Arterial-phase contrast-enhanced abdominal CT, axial slice 371 of 541 (counted from the lowest slice); tube voltage 120 kVp, convolution kernel I30f; slices 1.00 mm thick, 0.834 mm per pixel.
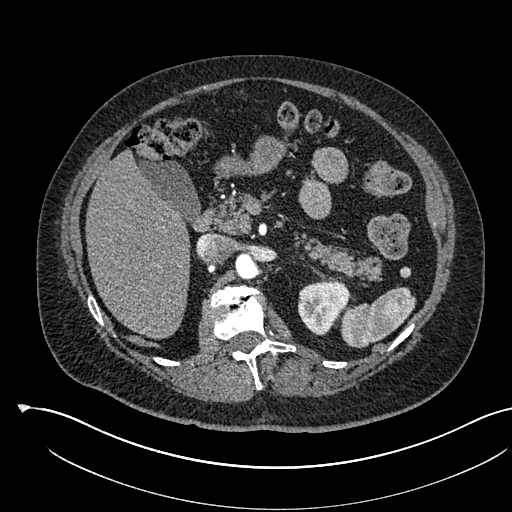
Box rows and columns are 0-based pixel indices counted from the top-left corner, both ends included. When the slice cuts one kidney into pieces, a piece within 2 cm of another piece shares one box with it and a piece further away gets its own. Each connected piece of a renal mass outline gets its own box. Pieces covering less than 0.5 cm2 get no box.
Left kidney at rows 279–335, columns 298–349 (outlined area 2,096 px, about 14.6 cm2). This slice carries no renal mass outline.